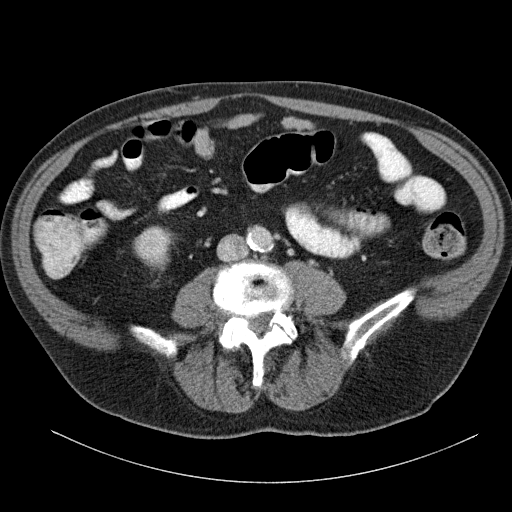
Arterial-phase contrast-enhanced abdominal CT, axial slice 55 of 140 (counted from the lowest slice); tube voltage 120 kVp, convolution kernel B31f; slices 5.00 mm thick, 0.754 mm per pixel.
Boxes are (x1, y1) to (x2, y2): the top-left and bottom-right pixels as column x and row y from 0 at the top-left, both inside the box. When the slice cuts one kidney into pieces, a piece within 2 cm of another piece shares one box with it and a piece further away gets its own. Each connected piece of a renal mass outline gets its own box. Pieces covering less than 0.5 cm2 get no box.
Right kidney, box (134, 225) to (171, 271) (outlined area 1,219 px, about 6.9 cm2). No renal mass is outlined on this slice.